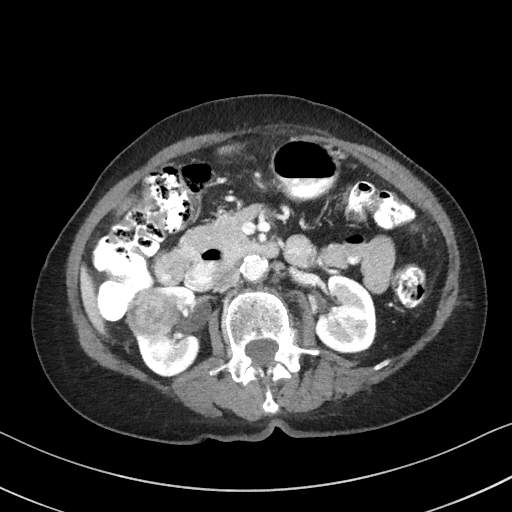
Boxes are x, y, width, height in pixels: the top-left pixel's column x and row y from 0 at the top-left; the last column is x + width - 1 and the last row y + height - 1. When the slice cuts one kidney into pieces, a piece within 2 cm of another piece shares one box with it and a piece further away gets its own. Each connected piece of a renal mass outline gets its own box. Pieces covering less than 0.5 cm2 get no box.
Slice 55/92 of a contrast-enhanced abdominal CT, counting up from the lowest; pixel size 0.684 mm, slice thickness 3.00 mm. Three boxes on this slice (two kidney boxes and one renal mass box), listed by box centre from the image's left to its right. (1) Right renal mass, box x 126, y 287, width 52, height 51 (outlined area 2,026 px, about 9.5 cm2). (2) Right kidney at x 135, y 286, width 66, height 91 (outlined area 3,278 px, about 15.3 cm2). (3) Box x 314, y 275, width 63, height 79: left kidney (outlined area 3,832 px, about 17.9 cm2).
Scan settings: 100 kVp, I41f reconstruction kernel.